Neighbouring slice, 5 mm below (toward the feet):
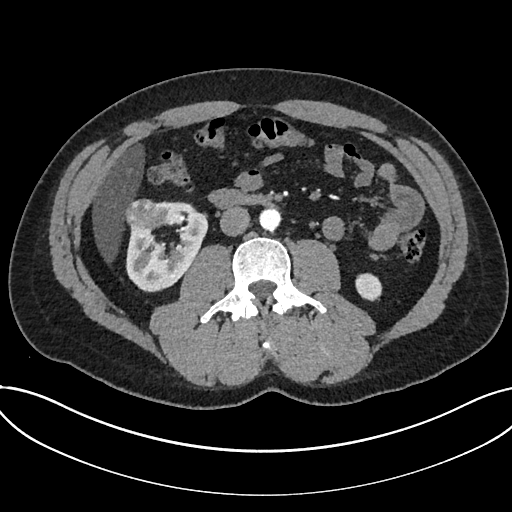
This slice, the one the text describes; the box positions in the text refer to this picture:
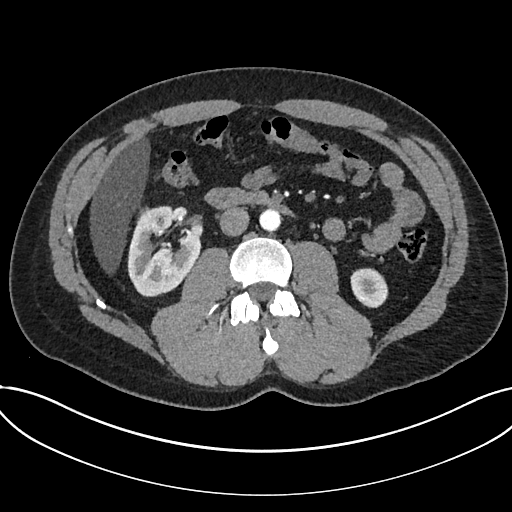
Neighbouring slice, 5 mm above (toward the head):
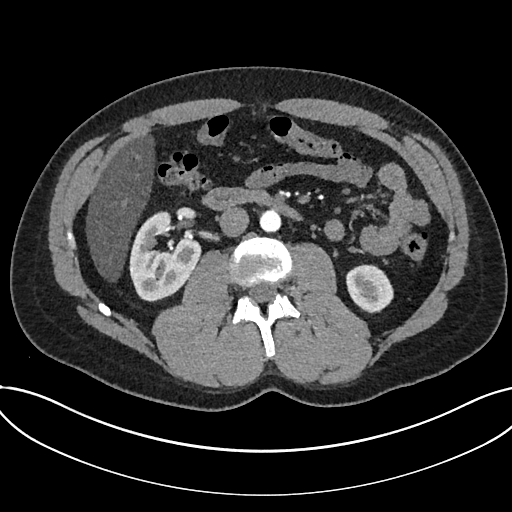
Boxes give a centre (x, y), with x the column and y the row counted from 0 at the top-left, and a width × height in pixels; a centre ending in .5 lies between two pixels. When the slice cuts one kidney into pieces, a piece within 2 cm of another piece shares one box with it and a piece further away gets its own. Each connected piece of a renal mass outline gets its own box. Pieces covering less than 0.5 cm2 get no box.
Arterial-phase contrast-enhanced abdominal CT, axial slice 369 of 735 (counted from the lowest slice); 1.00 mm thick, 0.789 mm per pixel. Three boxes on this slice (two kidney boxes and one renal mass box), listed by box centre from the image's left to its right. (1) Box centre (144, 214.5), 17 × 18 pixels: renal mass (outlined area 212 px, about 1.3 cm2). (2) Kidney, box centre (164, 251), 75 × 93 pixels (outlined area 4,842 px, about 30.1 cm2). (3) Kidney, box centre (369, 287.5), 39 × 40 pixels (outlined area 1,197 px, about 7.5 cm2). This slice lies near the end of a renal mass toward the head; the slices 5 mm below and 5 mm above it are shown too, and the boxes mark positions on this slice only.
Tube voltage 120 kVp; convolution kernel I30f.